Axial slice 433 of 538 of a contrast-enhanced abdominal CT in the arterial phase (slice 1 is the lowest), 120 kVp, kernel B30f; 1.00 mm slice thickness and 0.811 mm pixels.
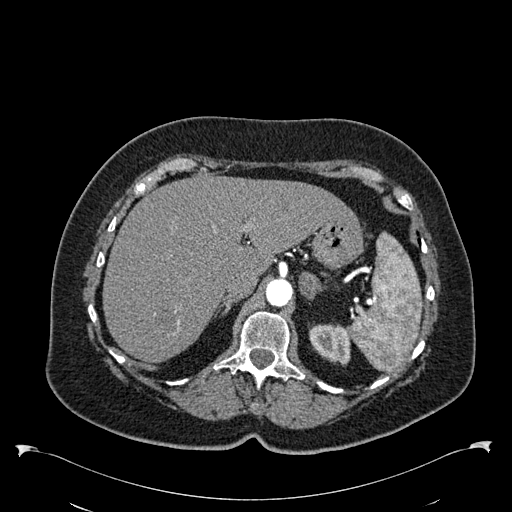
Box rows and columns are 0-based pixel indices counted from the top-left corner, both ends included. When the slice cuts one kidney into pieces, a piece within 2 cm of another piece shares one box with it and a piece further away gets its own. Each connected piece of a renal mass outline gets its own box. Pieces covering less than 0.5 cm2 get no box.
Left kidney at rows 324–365, columns 309–350 (outlined area 1,353 px, about 8.9 cm2). No renal mass outline on this slice.